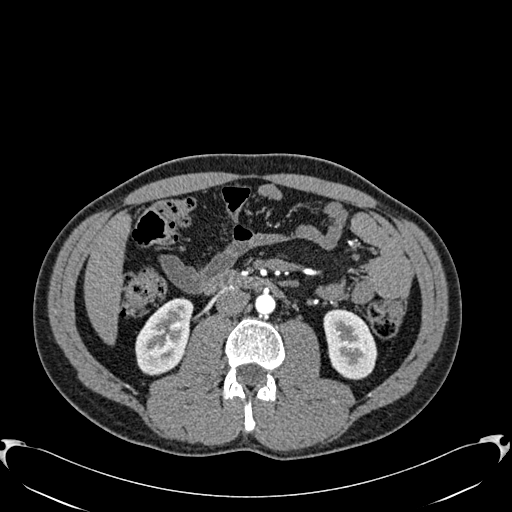
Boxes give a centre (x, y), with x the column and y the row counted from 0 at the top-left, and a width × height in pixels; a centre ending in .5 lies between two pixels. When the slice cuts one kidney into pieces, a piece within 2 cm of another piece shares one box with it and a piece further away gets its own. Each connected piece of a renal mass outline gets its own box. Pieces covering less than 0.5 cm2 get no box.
Slice 305/512 of a contrast-enhanced abdominal CT in the arterial phase, counting up from the lowest; pixel size 0.771 mm, slice thickness 1.00 mm. Two boxes on this slice (two kidney boxes), listed by box centre from the image's left to its right. (1) Box centre (164, 336.5), 59 × 78 pixels: right kidney (outlined area 3,196 px, about 19.0 cm2). (2) Left kidney in a box with centre (350, 344), 55 × 71 pixels (outlined area 2,929 px, about 17.4 cm2). No renal mass is outlined on this slice.
Acquired at 120 kVp and reconstructed with the B30f kernel.